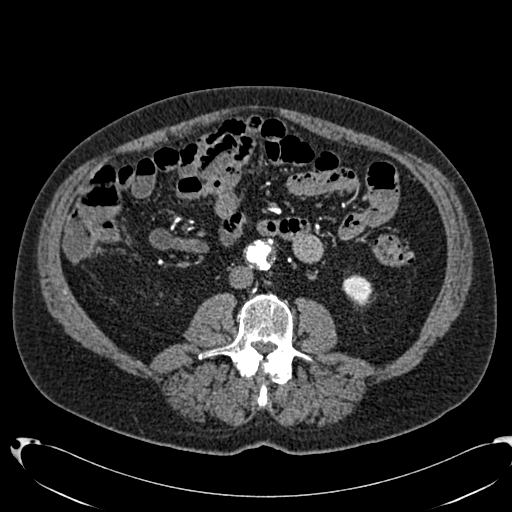
Abdominal CT with intravenous contrast, arterial phase, axial plane, 120 kVp, kernel B20f. Slice 315/553 from the bottom of the scan; thickness 1.00 mm; pixel size 0.773 mm.
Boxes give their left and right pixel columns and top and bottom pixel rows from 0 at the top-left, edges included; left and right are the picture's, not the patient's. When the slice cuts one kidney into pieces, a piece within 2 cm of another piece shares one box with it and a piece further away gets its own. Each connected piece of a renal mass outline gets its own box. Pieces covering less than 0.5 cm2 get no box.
Left kidney in the box with left 343, top 274, right 371, bottom 306 (outlined area 673 px, about 4.0 cm2). This slice carries no renal mass outline.